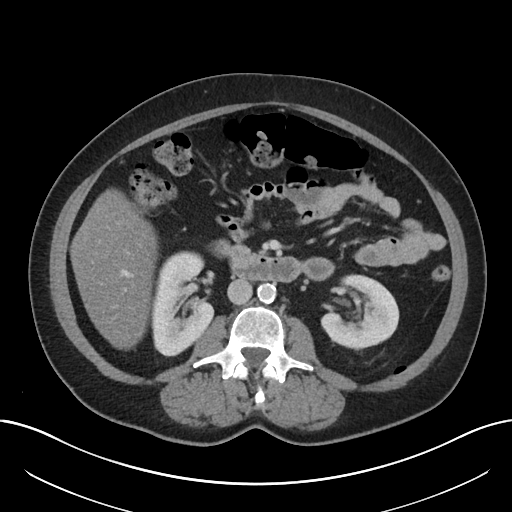
Axial slice 110 of 197 of a contrast-enhanced abdominal CT (slice 1 is the lowest), 120 kVp, kernel I30f; 5.00 mm slice thickness and 0.791 mm pixels.
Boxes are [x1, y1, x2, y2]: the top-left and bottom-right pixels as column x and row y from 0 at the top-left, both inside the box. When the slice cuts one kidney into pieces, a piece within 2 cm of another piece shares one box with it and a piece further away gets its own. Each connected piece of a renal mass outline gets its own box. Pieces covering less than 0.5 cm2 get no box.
Boxed on this slice (two kidney boxes), listed by box centre from the image's left to its right: (1) Right kidney, box [151, 251, 214, 356] (outlined area 5,027 px, about 31.5 cm2). (2) Box [320, 274, 399, 350]: left kidney (outlined area 4,181 px, about 26.2 cm2). No renal mass is outlined on this slice.